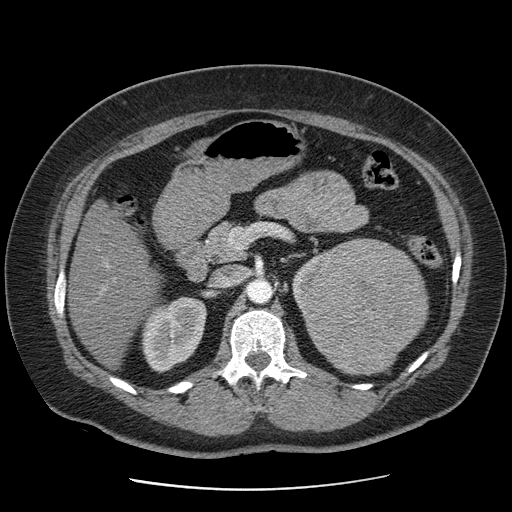
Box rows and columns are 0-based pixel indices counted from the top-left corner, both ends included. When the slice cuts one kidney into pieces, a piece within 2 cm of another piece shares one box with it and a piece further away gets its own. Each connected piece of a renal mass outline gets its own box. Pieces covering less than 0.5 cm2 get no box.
Slice 54/103 of a contrast-enhanced abdominal CT, counting up from the lowest; pixel size 0.736 mm, slice thickness 2.50 mm. Boxed on this slice (three kidney boxes and one renal mass box), listed by box centre from the image's left to its right: (1) Right kidney, box rows 296–372, columns 141–206 (outlined area 3,616 px, about 19.6 cm2). (2) Left kidney (one of two boxed parts) at rows 250–311, columns 292–327 (outlined area 846 px, about 4.6 cm2). (3) Left renal mass at rows 238–375, columns 301–424 (outlined area 12,777 px, about 69.3 cm2). (4) Left kidney (one of two boxed parts) at rows 277–352, columns 398–429 (outlined area 331 px, about 1.8 cm2).
Acquired at 120 kVp and reconstructed with the STANDARD kernel.